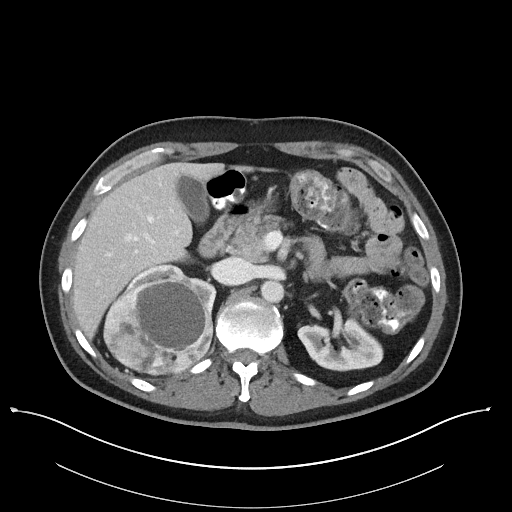
Contrast-enhanced abdominal CT, axial slice 75 of 101 (counted from the lowest slice); tube voltage 100 kVp, convolution kernel I40f; slices 5.00 mm thick, 0.879 mm per pixel.
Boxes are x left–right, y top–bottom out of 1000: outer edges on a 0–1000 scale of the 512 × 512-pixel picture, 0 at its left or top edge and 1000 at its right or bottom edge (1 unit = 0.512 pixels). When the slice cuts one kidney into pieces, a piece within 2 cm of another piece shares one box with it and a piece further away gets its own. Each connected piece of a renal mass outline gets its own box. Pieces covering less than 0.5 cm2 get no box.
Boxed on this slice (two kidney boxes and one renal mass box), listed by box centre from the image's left to its right: (1) Right renal mass, box x 201–418, y 545–734 out of 1000 (outlined area 8,372 px, about 64.7 cm2). (2) Box x 240–424, y 516–615 out of 1000: right kidney (outlined area 1,339 px, about 10.3 cm2). (3) Box x 582–750, y 619–727 out of 1000: left kidney (outlined area 3,119 px, about 24.1 cm2).